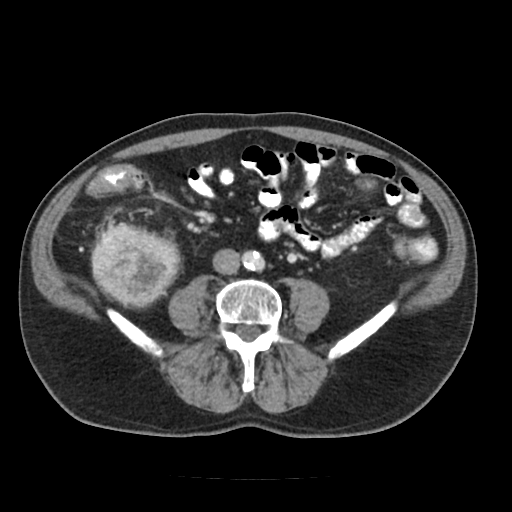
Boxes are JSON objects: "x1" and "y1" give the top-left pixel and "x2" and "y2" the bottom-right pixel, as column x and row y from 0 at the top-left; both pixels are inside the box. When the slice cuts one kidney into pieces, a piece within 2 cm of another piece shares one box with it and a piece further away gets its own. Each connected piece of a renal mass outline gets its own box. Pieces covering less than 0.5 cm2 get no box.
Slice 45/91 of a contrast-enhanced abdominal CT, counting up from the lowest; pixel size 0.766 mm, slice thickness 5.00 mm. Box {"x1": 90, "y1": 222, "x2": 181, "y2": 309}: right renal mass (outlined area 5,991 px, about 35.2 cm2); this slice has no kidney outline, though on another slice the same outlined renal mass lies within 1 cm of the kidney.
Tube voltage 120 kVp; convolution kernel FC18.